Axial slice 24 of 43 of a contrast-enhanced abdominal CT (slice 1 is the lowest), 120 kVp, kernel B31f; 5.00 mm slice thickness and 0.701 mm pixels.
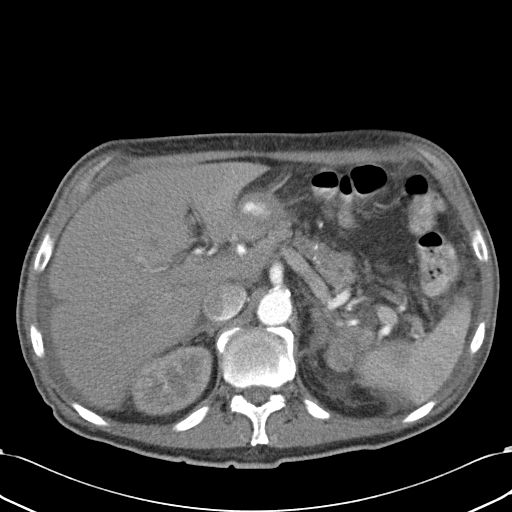
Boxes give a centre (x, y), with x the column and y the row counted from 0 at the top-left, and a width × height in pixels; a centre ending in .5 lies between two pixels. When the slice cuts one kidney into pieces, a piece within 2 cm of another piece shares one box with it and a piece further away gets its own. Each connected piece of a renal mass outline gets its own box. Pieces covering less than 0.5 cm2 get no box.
Two kidney boxes and one renal mass box on this slice; by box centre, from the image's left to its right: (1) Right kidney in a box with centre (171.5, 380.5), 82 × 72 pixels (outlined area 4,366 px, about 21.5 cm2). (2) Box centre (336, 388.5), 21 × 14 pixels: left kidney (outlined area 225 px, about 1.1 cm2). (3) Left renal mass in a box with centre (349.5, 349), 52 × 45 pixels (outlined area 1,504 px, about 7.4 cm2).